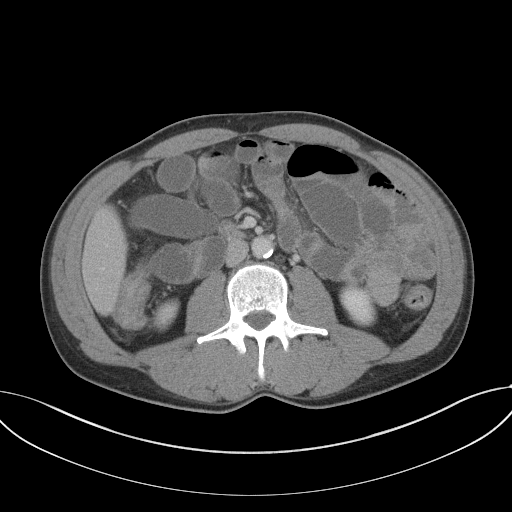
Contrast-enhanced abdominal CT, axial slice 57 of 102 (counted from the lowest slice); tube voltage 120 kVp, convolution kernel B41f; slices 5.00 mm thick, 0.807 mm per pixel.
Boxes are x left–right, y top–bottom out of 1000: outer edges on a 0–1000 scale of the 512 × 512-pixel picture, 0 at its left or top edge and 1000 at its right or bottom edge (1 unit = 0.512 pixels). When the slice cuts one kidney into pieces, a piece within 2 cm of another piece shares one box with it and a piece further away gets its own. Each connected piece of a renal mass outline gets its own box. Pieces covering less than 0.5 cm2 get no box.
Two boxes on this slice (two kidney boxes), listed by box centre from the image's left to its right. (1) Right kidney at x 295–352, y 582–648 out of 1000 (outlined area 671 px, about 4.4 cm2). (2) Left kidney at x 662–736, y 553–639 out of 1000 (outlined area 1,194 px, about 7.8 cm2). This slice carries no renal mass outline.